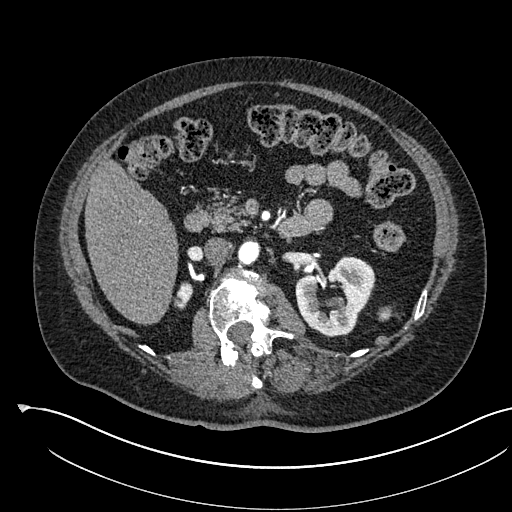
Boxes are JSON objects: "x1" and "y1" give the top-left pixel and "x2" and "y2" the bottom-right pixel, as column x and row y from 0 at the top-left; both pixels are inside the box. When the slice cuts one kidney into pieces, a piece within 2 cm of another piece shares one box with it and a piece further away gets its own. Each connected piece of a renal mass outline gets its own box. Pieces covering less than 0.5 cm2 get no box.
Arterial-phase contrast-enhanced abdominal CT, axial slice 341 of 541 (counted from the lowest slice); 1.00 mm thick, 0.834 mm per pixel. Two kidney boxes on this slice; by box centre, from the image's left to its right: (1) Right kidney at {"x1": 172, "y1": 282, "x2": 193, "y2": 309} (outlined area 370 px, about 2.6 cm2). (2) Box {"x1": 295, "y1": 255, "x2": 375, "y2": 337}: left kidney (outlined area 4,310 px, about 30.0 cm2). No renal mass outline on this slice.
Tube voltage 120 kVp; convolution kernel I30f.